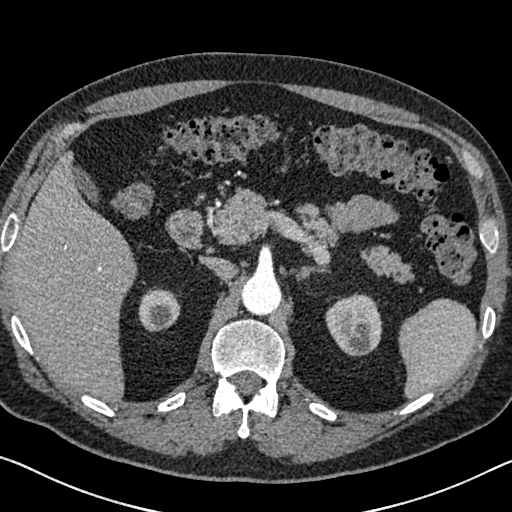
One axial slice (473 of 626, counting up from the lowest) of an arterial-phase abdominal CT acquired with 120 kVp, kernel I30f; each pixel is 0.703 mm and the slice is 1.00 mm thick.
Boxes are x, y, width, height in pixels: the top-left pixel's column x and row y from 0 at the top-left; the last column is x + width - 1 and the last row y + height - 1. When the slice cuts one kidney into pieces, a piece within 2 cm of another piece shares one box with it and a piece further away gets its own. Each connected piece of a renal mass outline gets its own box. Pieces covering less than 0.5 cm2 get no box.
Boxed on this slice (two kidney boxes), listed by box centre from the image's left to its right: (1) Box x 138, y 286, width 43, height 46: right kidney (outlined area 1,450 px, about 7.2 cm2). (2) Left kidney, box x 325, y 293, width 58, height 64 (outlined area 2,730 px, about 13.5 cm2). No renal mass outline on this slice.